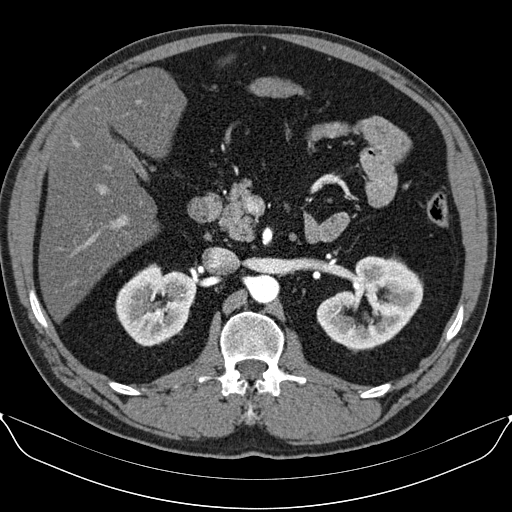
Axial slice 60 of 96 of a contrast-enhanced abdominal CT in the arterial phase (slice 1 is the lowest), 130 kVp, kernel B30s; 3.00 mm slice thickness and 0.781 mm pixels.
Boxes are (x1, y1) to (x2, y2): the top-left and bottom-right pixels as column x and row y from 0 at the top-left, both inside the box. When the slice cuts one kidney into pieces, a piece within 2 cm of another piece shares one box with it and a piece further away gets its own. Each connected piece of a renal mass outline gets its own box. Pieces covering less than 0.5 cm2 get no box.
Two kidney boxes on this slice; by box centre, from the image's left to its right: (1) Right kidney from (115, 263) to (196, 346) (outlined area 4,798 px, about 29.3 cm2). (2) Left kidney from (316, 256) to (423, 351) (outlined area 6,633 px, about 40.5 cm2). This slice carries no renal mass outline.